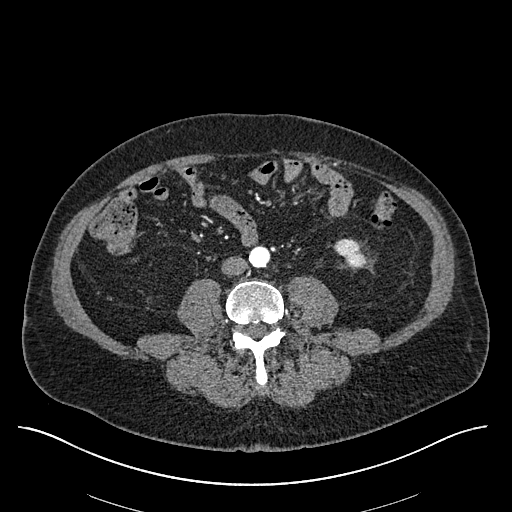
Axial slice 205 of 670 of a contrast-enhanced abdominal CT in the arterial phase (slice 1 is the lowest), 120 kVp, kernel I30f; 1.00 mm slice thickness and 0.861 mm pixels.
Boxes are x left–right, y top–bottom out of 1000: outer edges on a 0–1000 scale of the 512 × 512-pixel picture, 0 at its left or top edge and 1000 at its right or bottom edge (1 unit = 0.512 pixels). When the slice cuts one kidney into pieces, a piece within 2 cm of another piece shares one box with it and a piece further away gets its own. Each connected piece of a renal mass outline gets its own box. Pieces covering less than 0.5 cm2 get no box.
Left kidney at x 652–717, y 465–525 out of 1000 (outlined area 645 px, about 4.8 cm2). This slice carries no renal mass outline.